Arterial-phase contrast-enhanced abdominal CT, axial slice 577 of 987 (counted from the lowest slice); tube voltage 120 kVp, convolution kernel I26f; slices 1.00 mm thick, 0.977 mm per pixel.
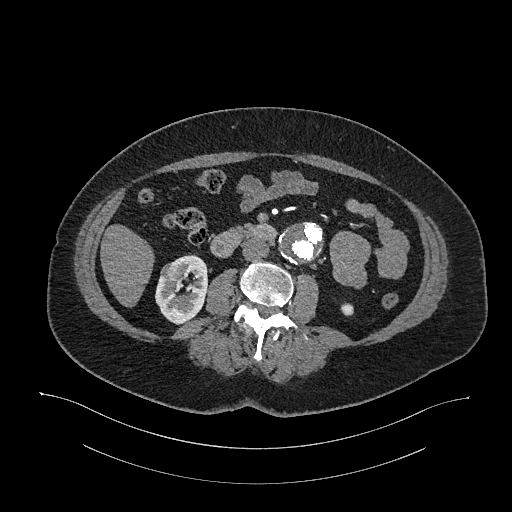
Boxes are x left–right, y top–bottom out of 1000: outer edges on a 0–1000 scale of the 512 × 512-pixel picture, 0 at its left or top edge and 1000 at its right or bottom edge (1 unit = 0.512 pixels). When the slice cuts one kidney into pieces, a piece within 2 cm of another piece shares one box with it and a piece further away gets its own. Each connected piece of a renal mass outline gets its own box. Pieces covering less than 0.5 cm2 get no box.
Two kidney boxes and one renal mass box on this slice; by box centre, from the image's left to its right: (1) Box x 311–359, y 510–553 out of 1000: right renal mass (outlined area 379 px, about 3.6 cm2). (2) Box x 303–406, y 496–635 out of 1000: right kidney (outlined area 2,373 px, about 22.6 cm2). (3) Left kidney, box x 664–691, y 592–617 out of 1000 (outlined area 144 px, about 1.4 cm2).